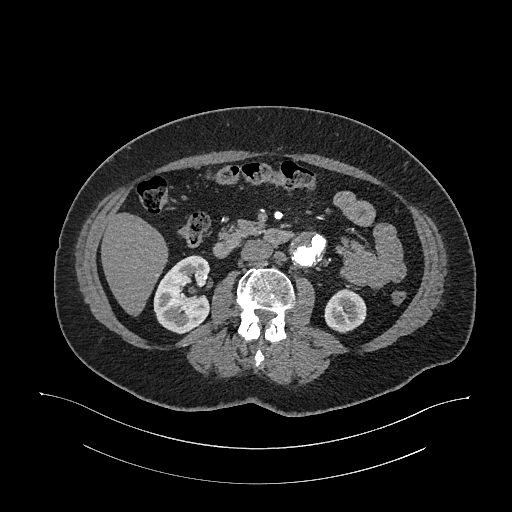
Axial slice 607 of 987 of a contrast-enhanced abdominal CT in the arterial phase (slice 1 is the lowest), 120 kVp, kernel I26f; 1.00 mm slice thickness and 0.977 mm pixels.
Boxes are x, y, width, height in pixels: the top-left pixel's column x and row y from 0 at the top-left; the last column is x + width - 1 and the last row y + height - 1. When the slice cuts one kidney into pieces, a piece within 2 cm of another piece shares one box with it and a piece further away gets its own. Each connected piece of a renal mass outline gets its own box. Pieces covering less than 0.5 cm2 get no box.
Two kidney boxes on this slice; by box centre, from the image's left to its right: (1) Right kidney, box x 153, y 255, width 58, height 79 (outlined area 3,349 px, about 31.9 cm2). (2) Left kidney, box x 324, y 288, width 43, height 45 (outlined area 1,441 px, about 13.7 cm2). This slice carries no renal mass outline.